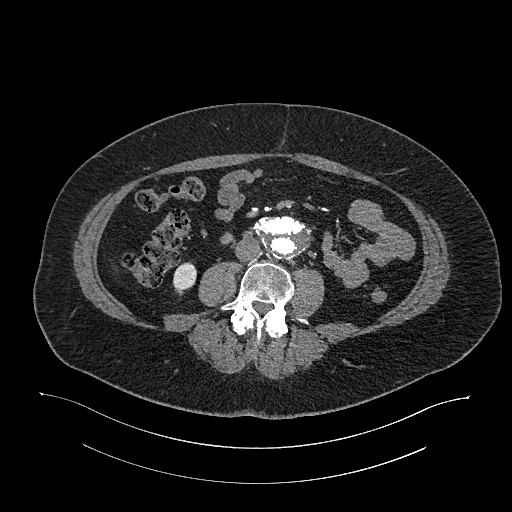
Axial slice 533 of 987 of a contrast-enhanced abdominal CT in the arterial phase (slice 1 is the lowest), 120 kVp, kernel I26f; 1.00 mm slice thickness and 0.977 mm pixels.
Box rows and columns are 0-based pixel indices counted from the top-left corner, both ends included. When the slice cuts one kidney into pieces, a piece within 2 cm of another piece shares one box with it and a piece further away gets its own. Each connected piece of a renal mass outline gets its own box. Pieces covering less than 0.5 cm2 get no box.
Right kidney, box rows 262–295, columns 173–196 (outlined area 587 px, about 5.6 cm2). No renal mass is outlined on this slice.